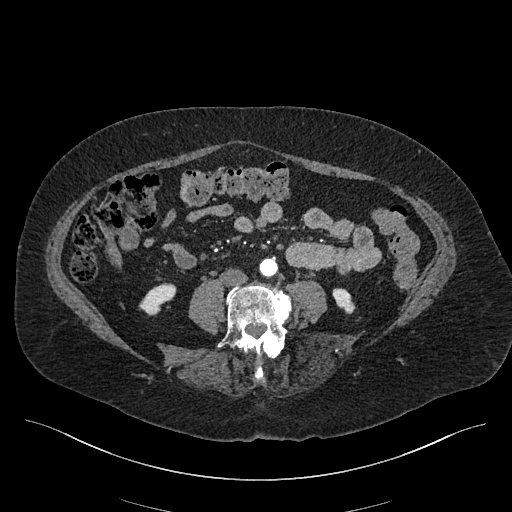
Axial slice 150 of 548 of a contrast-enhanced abdominal CT in the arterial phase (slice 1 is the lowest), 120 kVp, kernel I26f; 1.00 mm slice thickness and 0.852 mm pixels.
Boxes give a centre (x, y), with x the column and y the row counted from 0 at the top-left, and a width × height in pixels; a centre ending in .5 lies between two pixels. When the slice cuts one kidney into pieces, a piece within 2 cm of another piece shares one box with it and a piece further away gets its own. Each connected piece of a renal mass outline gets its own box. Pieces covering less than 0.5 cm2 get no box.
Two kidney boxes on this slice; by box centre, from the image's left to its right: (1) Right kidney in a box with centre (157.5, 299), 38 × 33 pixels (outlined area 737 px, about 5.3 cm2). (2) Left kidney, box centre (343.5, 301), 24 × 27 pixels (outlined area 398 px, about 2.9 cm2). No renal mass is outlined on this slice.